Axial slice 77 of 142 of a contrast-enhanced abdominal CT (slice 1 is the lowest), 100 kVp, kernel I30f; 5.00 mm slice thickness and 0.855 mm pixels.
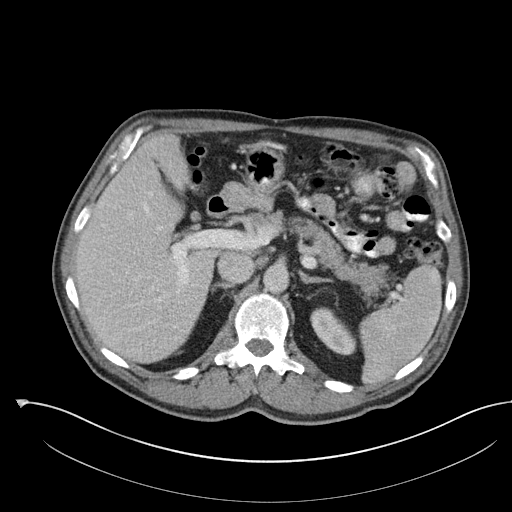
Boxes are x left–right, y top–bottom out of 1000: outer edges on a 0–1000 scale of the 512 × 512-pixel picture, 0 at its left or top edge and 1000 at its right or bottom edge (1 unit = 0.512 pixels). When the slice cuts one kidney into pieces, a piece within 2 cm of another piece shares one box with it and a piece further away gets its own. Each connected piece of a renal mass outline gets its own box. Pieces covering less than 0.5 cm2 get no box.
Left kidney at x 605–697, y 600–695 out of 1000 (outlined area 1,425 px, about 10.4 cm2). This slice carries no renal mass outline.